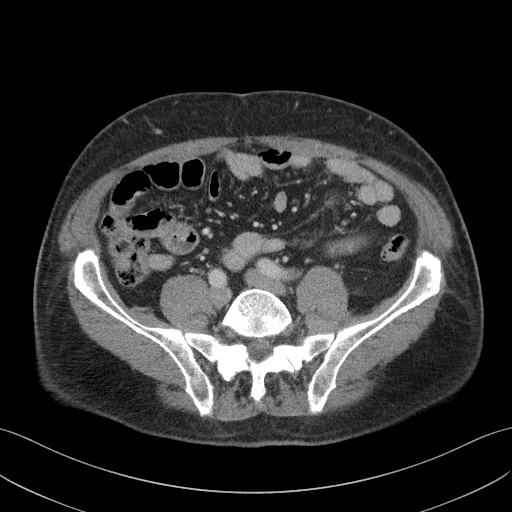
Contrast-enhanced abdominal CT, axial slice 44 of 103 (counted from the lowest slice); tube voltage 100 kVp, convolution kernel I41f; slices 4.00 mm thick, 0.742 mm per pixel.
Outside the outlined region: no kidney outline and no renal mass outline on this slice. The scan's outlines cover only kidneys and renal masses; no other organ is outlined.